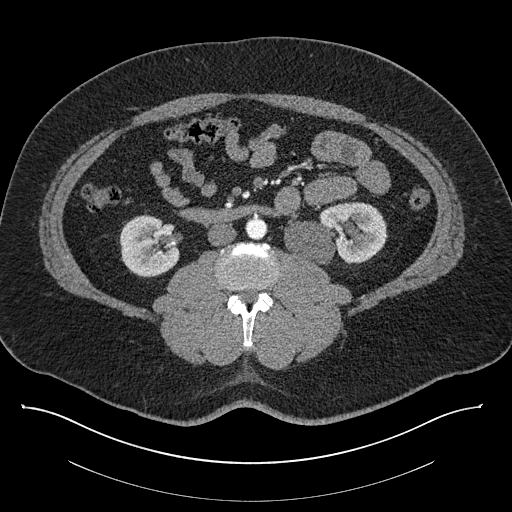
Contrast-enhanced abdominal CT, axial slice 425 of 787 (counted from the lowest slice); tube voltage 140 kVp, convolution kernel I30f; slices 1.00 mm thick, 0.910 mm per pixel.
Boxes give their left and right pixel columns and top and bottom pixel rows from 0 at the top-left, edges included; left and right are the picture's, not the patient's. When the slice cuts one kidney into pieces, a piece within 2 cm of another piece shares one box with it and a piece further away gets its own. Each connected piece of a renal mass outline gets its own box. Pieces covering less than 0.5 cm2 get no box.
Two boxes on this slice (two kidney boxes), listed by box centre from the image's left to its right. (1) Right kidney in the box with left 119, top 214, right 179, bottom 277 (outlined area 2,921 px, about 24.2 cm2). (2) Left kidney in the box with left 284, top 202, right 387, bottom 264 (outlined area 4,783 px, about 39.6 cm2). No renal mass outline on this slice.